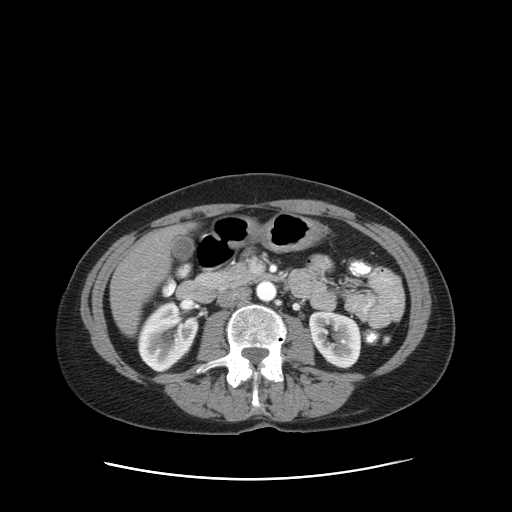
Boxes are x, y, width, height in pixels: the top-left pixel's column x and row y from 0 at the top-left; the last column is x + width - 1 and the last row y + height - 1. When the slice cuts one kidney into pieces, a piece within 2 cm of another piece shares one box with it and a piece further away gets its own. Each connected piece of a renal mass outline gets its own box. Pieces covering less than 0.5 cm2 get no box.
Slice 50/83 of a contrast-enhanced abdominal CT in the arterial phase, counting up from the lowest; pixel size 0.775 mm, slice thickness 5.00 mm. Two kidney boxes on this slice; by box centre, from the image's left to its right: (1) Right kidney at x 137, y 299, width 63, height 75 (outlined area 3,184 px, about 19.1 cm2). (2) Box x 308, y 311, width 55, height 58: left kidney (outlined area 2,350 px, about 14.1 cm2). No renal mass outline on this slice.
Tube voltage 120 kVp; convolution kernel STANDARD.